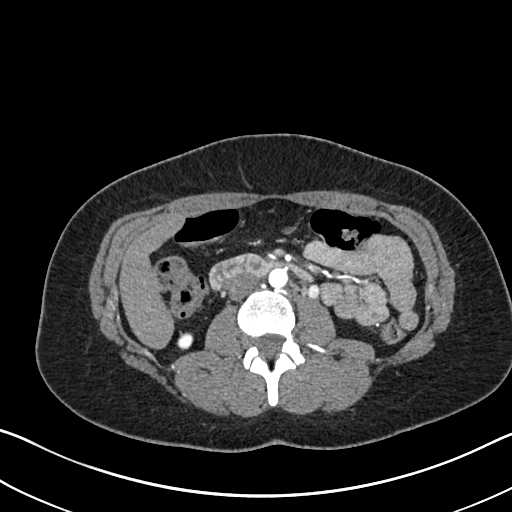
Axial slice 356 of 612 of a contrast-enhanced abdominal CT in the arterial phase (slice 1 is the lowest), 120 kVp, kernel I30f; 1.00 mm slice thickness and 0.703 mm pixels.
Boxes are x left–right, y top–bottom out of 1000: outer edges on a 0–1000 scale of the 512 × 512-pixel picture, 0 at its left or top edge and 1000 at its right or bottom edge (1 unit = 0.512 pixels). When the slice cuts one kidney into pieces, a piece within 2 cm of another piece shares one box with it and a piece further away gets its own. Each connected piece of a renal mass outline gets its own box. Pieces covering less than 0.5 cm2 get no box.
Box x 346–379, y 648–682 out of 1000: right kidney (outlined area 197 px, about 1.0 cm2). No renal mass is outlined on this slice.